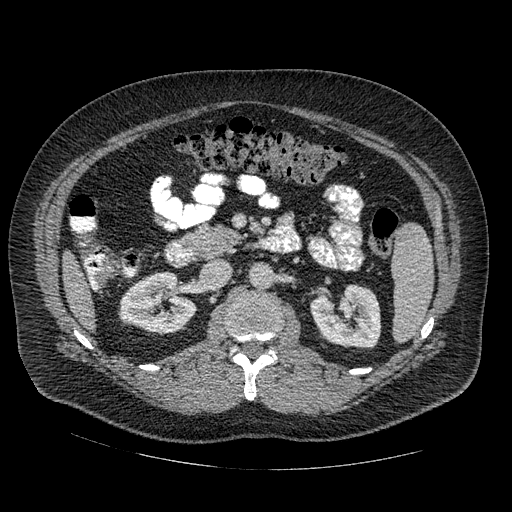
Axial slice 282 of 445 of a contrast-enhanced abdominal CT in the arterial phase (slice 1 is the lowest), 120 kVp, kernel STANDARD; 1.25 mm slice thickness and 0.863 mm pixels.
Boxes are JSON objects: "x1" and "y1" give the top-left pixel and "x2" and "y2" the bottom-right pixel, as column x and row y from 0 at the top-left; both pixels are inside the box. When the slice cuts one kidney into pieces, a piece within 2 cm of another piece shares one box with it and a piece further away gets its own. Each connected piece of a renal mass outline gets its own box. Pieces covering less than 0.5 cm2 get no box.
Two boxes on this slice (two kidney boxes), listed by box centre from the image's left to its right. (1) Right kidney, box {"x1": 119, "y1": 272, "x2": 197, "y2": 334} (outlined area 3,471 px, about 25.9 cm2). (2) Left kidney at {"x1": 311, "y1": 283, "x2": 381, "y2": 348} (outlined area 3,434 px, about 25.6 cm2). This slice carries no renal mass outline.